Axial slice 63 of 93 of a contrast-enhanced abdominal CT (slice 1 is the lowest), 120 kVp, kernel B30f; 5.00 mm slice thickness and 0.938 mm pixels.
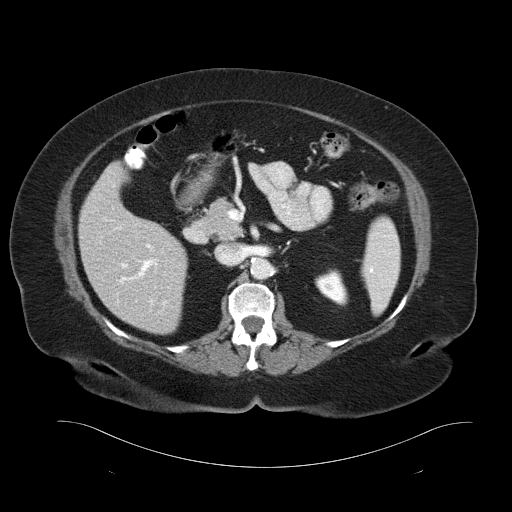
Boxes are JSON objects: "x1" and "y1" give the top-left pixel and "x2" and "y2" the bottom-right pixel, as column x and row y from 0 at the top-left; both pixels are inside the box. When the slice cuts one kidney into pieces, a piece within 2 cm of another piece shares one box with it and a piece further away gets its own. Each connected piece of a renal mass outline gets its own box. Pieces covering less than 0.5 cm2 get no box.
Left kidney, box {"x1": 314, "y1": 269, "x2": 348, "y2": 305} (outlined area 847 px, about 7.4 cm2). No renal mass outline on this slice.